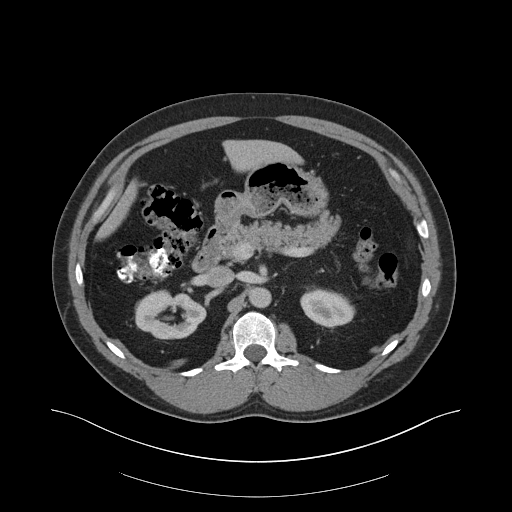
Arterial-phase contrast-enhanced abdominal CT, axial slice 118 of 159 (counted from the lowest slice); tube voltage 140 kVp, convolution kernel B30f; slices 3.00 mm thick, 0.977 mm per pixel.
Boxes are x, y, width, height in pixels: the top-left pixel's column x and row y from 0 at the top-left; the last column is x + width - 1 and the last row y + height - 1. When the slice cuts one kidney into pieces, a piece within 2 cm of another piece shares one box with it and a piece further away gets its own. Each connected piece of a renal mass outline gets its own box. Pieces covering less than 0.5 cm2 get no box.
Boxed on this slice (two kidney boxes), listed by box centre from the image's left to its right: (1) Right kidney at x 135, y 289, width 72, height 51 (outlined area 2,550 px, about 24.3 cm2). (2) Left kidney, box x 300, y 289, width 55, height 38 (outlined area 1,577 px, about 15.0 cm2). No renal mass is outlined on this slice.